Abdominal CT with intravenous contrast, arterial phase, axial plane, 120 kVp, kernel STANDARD. Slice 49/106 from the bottom of the scan; thickness 2.50 mm; pixel size 0.742 mm.
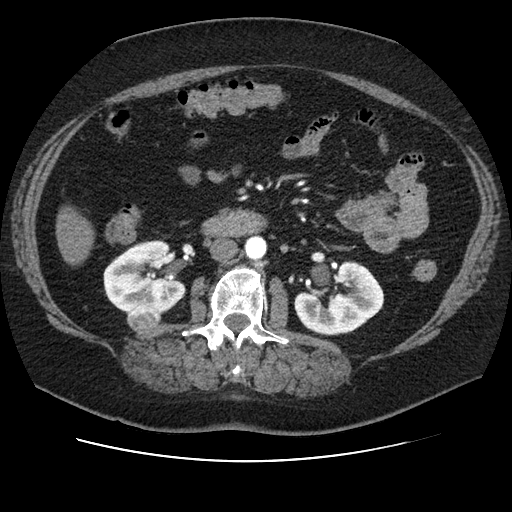
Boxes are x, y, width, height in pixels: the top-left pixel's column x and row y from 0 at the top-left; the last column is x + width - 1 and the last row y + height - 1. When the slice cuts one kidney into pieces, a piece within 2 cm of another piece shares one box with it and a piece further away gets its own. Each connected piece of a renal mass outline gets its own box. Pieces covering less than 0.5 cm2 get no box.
Boxed on this slice (two kidney boxes and one renal mass box), listed by box centre from the image's left to its right: (1) Right renal mass at x 126, y 305, width 36, height 29 (outlined area 781 px, about 4.3 cm2). (2) Box x 103, y 240, width 83, height 74: right kidney (outlined area 4,487 px, about 24.7 cm2). (3) Box x 294, y 261, width 91, height 75: left kidney (outlined area 4,579 px, about 25.2 cm2).